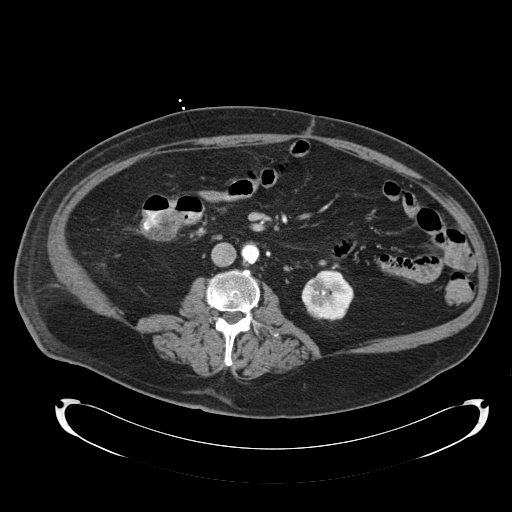
Axial slice 52 of 92 of a contrast-enhanced abdominal CT (slice 1 is the lowest), 120 kVp, kernel B30f; 5.00 mm slice thickness and 0.918 mm pixels.
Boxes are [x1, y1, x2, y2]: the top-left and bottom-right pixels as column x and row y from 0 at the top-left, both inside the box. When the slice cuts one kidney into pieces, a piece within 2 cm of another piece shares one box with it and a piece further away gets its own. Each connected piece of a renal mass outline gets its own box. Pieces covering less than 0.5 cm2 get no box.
Left kidney, box [301, 270, 353, 321] (outlined area 2,056 px, about 17.3 cm2). No renal mass is outlined on this slice.